Axial slice 311 of 626 of a contrast-enhanced abdominal CT in the arterial phase (slice 1 is the lowest), 120 kVp, kernel I30f; 1.00 mm slice thickness and 0.703 mm pixels.
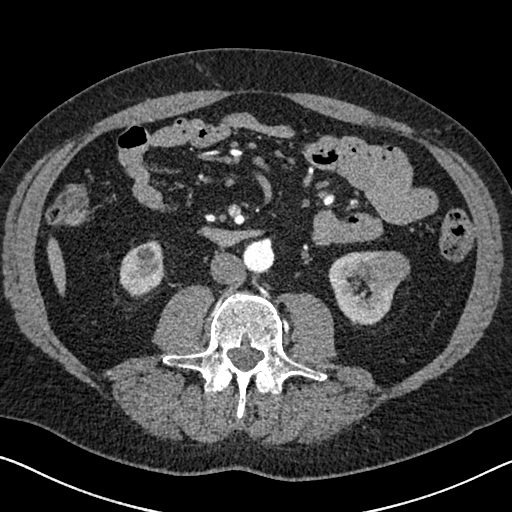
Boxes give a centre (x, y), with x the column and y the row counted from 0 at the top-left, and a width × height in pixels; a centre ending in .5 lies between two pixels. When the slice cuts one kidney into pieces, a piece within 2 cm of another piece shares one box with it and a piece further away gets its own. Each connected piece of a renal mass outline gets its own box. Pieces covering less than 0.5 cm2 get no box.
Three boxes on this slice (two kidney boxes and one renal mass box), listed by box centre from the image's left to its right. (1) Right kidney in a box with centre (141.5, 269), 46 × 59 pixels (outlined area 1,942 px, about 9.6 cm2). (2) Box centre (363.5, 288), 72 × 75 pixels: left kidney (outlined area 2,797 px, about 13.8 cm2). (3) Left renal mass in a box with centre (383.5, 268.5), 54 × 36 pixels (outlined area 1,546 px, about 7.6 cm2).